Contrast-enhanced abdominal CT, axial slice 379 of 787 (counted from the lowest slice); tube voltage 140 kVp, convolution kernel I30f; slices 1.00 mm thick, 0.910 mm per pixel.
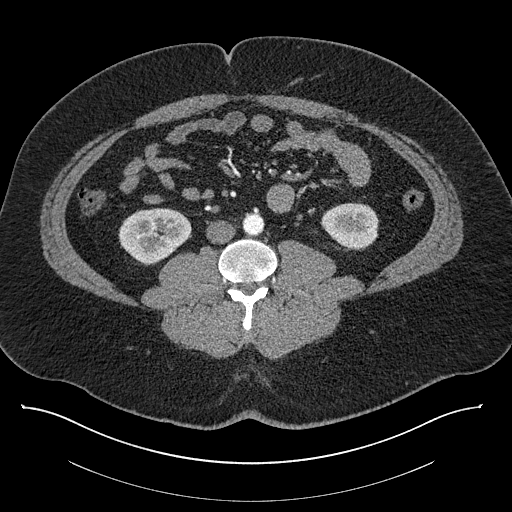
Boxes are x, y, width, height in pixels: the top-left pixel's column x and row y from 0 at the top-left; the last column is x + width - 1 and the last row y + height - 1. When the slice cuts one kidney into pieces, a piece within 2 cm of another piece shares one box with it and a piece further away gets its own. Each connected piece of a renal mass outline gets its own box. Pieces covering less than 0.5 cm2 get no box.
Two boxes on this slice (two kidney boxes), listed by box centre from the image's left to its right. (1) Box x 118, y 208, width 74, height 58: right kidney (outlined area 3,101 px, about 25.7 cm2). (2) Left kidney at x 320, y 202, width 60, height 48 (outlined area 2,121 px, about 17.6 cm2). No renal mass outline on this slice.